Arterial-phase contrast-enhanced abdominal CT, axial slice 225 of 541 (counted from the lowest slice); tube voltage 120 kVp, convolution kernel I30f; slices 1.00 mm thick, 0.834 mm per pixel.
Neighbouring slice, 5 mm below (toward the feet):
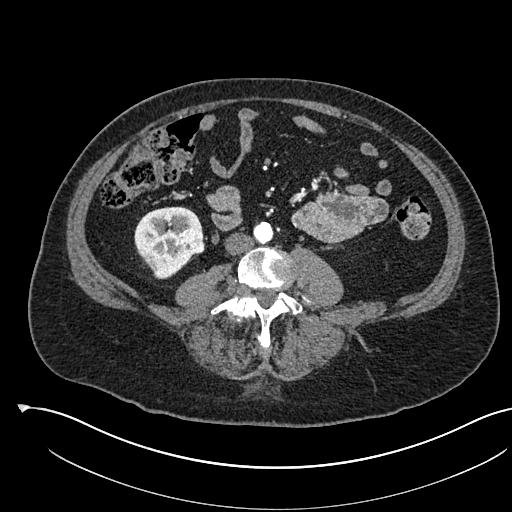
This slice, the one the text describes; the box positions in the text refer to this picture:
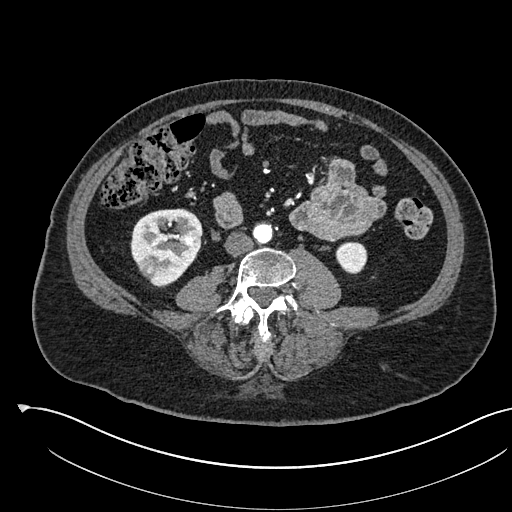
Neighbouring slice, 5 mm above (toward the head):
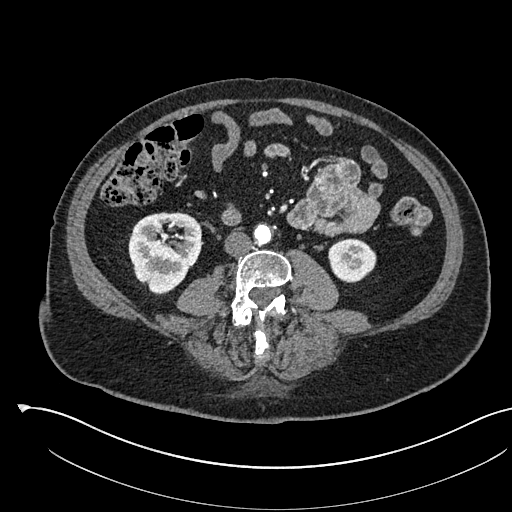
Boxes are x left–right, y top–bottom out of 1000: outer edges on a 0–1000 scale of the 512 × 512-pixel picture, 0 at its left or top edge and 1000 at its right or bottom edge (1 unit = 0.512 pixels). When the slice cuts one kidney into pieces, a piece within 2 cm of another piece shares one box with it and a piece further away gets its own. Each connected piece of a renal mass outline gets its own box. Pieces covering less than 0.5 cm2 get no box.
Boxed on this slice (two kidney boxes and one renal mass box), listed by box centre from the image's left to its right: (1) Right kidney at x 254–395, y 406–563 out of 1000 (outlined area 4,216 px, about 29.3 cm2). (2) Right renal mass, box x 355–379, y 455–477 out of 1000 (outlined area 103 px, about 0.7 cm2). (3) Left kidney at x 654–719, y 471–535 out of 1000 (outlined area 826 px, about 5.7 cm2). This slice lies near the end of the right renal mass toward the head; the slices 5 mm below and 5 mm above it are shown too, and the boxes mark positions on this slice only.